Abdominal CT with intravenous contrast, axial plane, 100 kVp, kernel I40f. Slice 22/76 from the bottom of the scan; thickness 3.00 mm; pixel size 0.768 mm.
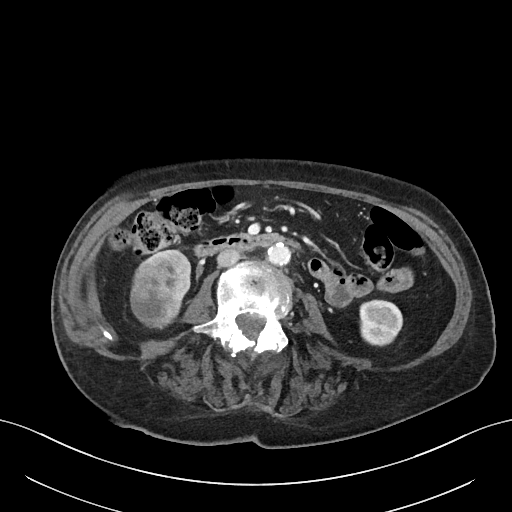
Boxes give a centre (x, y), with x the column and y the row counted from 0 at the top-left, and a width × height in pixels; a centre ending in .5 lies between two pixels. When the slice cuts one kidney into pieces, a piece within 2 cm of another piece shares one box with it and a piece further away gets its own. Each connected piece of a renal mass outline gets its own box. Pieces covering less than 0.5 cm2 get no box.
Three boxes on this slice (two kidney boxes and one renal mass box), listed by box centre from the image's left to its right. (1) Right renal mass, box centre (155.5, 291.5), 52 × 74 pixels (outlined area 2,822 px, about 16.6 cm2). (2) Right kidney, box centre (171.5, 277), 40 × 57 pixels (outlined area 936 px, about 5.5 cm2). (3) Box centre (381, 322.5), 45 × 48 pixels: left kidney (outlined area 1,713 px, about 10.1 cm2).